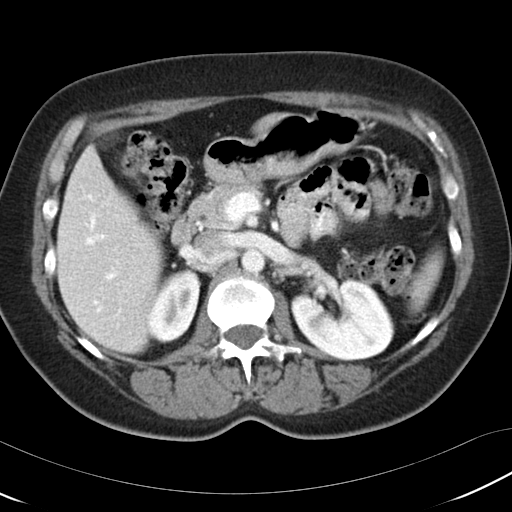
Axial slice 69 of 97 of a contrast-enhanced abdominal CT (slice 1 is the lowest), 120 kVp, kernel B30f; 5.00 mm slice thickness and 0.664 mm pixels.
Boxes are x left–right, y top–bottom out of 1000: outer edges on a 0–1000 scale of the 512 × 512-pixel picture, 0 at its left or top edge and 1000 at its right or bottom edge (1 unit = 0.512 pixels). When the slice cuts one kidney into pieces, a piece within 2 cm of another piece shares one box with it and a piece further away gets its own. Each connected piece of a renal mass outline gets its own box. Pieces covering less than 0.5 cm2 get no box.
Two kidney boxes on this slice; by box centre, from the image's left to its right: (1) Right kidney at x 287–395, y 523–672 out of 1000 (outlined area 2,820 px, about 12.4 cm2). (2) Box x 566–771, y 539–705 out of 1000: left kidney (outlined area 6,289 px, about 27.7 cm2). No renal mass outline on this slice.